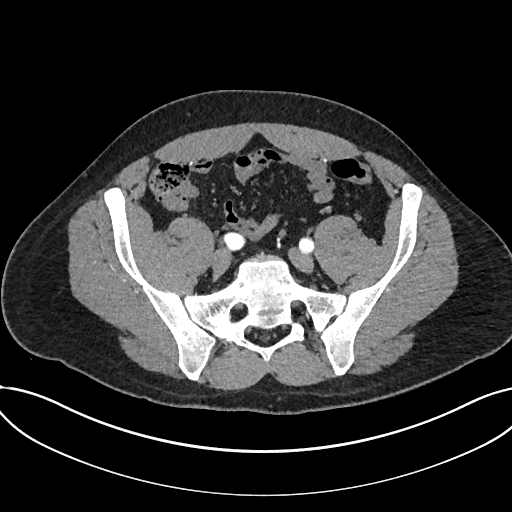
Slice 127/735 of a contrast-enhanced abdominal CT in the arterial phase, counting up from the lowest; pixel size 0.789 mm, slice thickness 1.00 mm. Neither a kidney nor a renal mass is outlined here. Only kidneys and renal masses are outlined anywhere in this scan; other structures are never outlined.
Tube voltage 120 kVp; convolution kernel I30f.